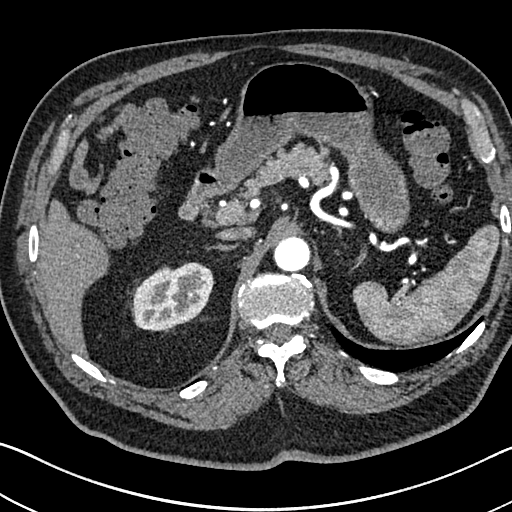
Arterial-phase contrast-enhanced abdominal CT, axial slice 525 of 705 (counted from the lowest slice); tube voltage 120 kVp, convolution kernel I30f; slices 1.00 mm thick, 0.703 mm per pixel.
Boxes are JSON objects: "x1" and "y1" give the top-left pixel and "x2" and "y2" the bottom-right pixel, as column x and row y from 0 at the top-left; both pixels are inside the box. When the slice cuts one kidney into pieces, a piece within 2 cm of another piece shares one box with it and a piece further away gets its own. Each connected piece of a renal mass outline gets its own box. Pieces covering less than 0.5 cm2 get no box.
Box {"x1": 133, "y1": 262, "x2": 213, "y2": 331}: right kidney (outlined area 4,182 px, about 20.7 cm2). No renal mass is outlined on this slice.